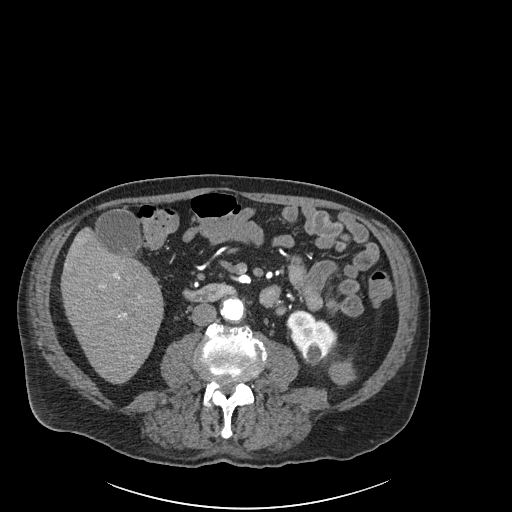
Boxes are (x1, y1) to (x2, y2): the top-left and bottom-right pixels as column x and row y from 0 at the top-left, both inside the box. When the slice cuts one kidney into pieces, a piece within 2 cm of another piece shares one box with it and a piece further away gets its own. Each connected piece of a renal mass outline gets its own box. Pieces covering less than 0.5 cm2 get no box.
Slice 70/261 of a contrast-enhanced abdominal CT in the arterial phase, counting up from the lowest; pixel size 0.939 mm, slice thickness 2.00 mm. Boxed on this slice (one kidney box and one renal mass box), listed by box centre from the image's left to its right: (1) Box (286, 310) to (336, 364): left kidney (outlined area 1,828 px, about 16.1 cm2). (2) Box (328, 361) to (355, 384): left renal mass (outlined area 535 px, about 4.7 cm2).
Tube voltage 120 kVp; convolution kernel I30f.